One axial slice (326 of 665, counting up from the lowest) of an arterial-phase abdominal CT acquired with 100 kVp, kernel I26f; each pixel is 0.828 mm and the slice is 1.00 mm thick.
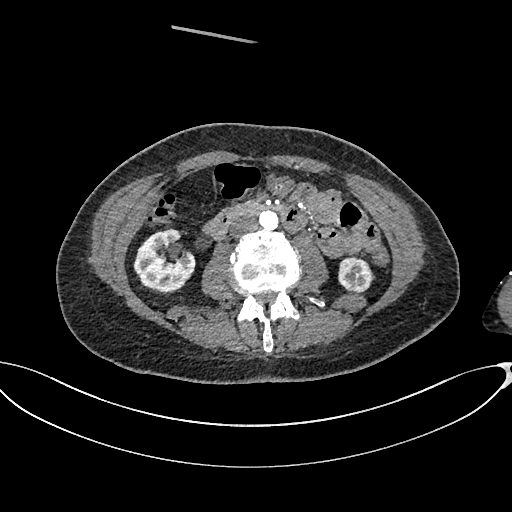
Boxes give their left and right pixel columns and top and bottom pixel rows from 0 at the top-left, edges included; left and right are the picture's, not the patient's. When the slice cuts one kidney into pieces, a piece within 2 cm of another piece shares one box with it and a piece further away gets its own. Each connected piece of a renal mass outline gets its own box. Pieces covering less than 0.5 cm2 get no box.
Two kidney boxes on this slice; by box centre, from the image's left to its right: (1) Box with left 133, top 228, right 195, bottom 295: right kidney (outlined area 2,936 px, about 20.1 cm2). (2) Box with left 338, top 256, right 374, bottom 292: left kidney (outlined area 1,019 px, about 7.0 cm2). No renal mass outline on this slice.